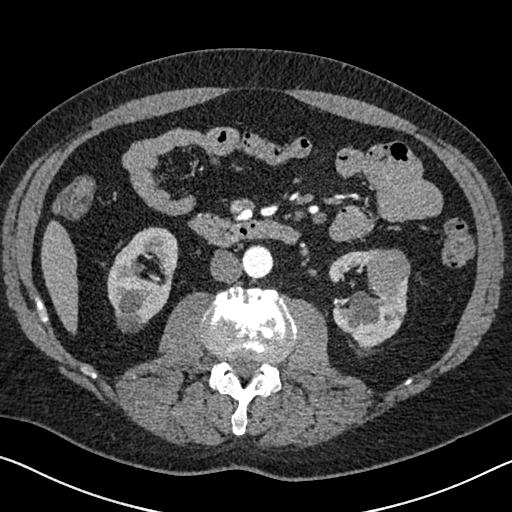
Arterial-phase contrast-enhanced abdominal CT, axial slice 339 of 626 (counted from the lowest slice); tube voltage 120 kVp, convolution kernel I30f; slices 1.00 mm thick, 0.703 mm per pixel.
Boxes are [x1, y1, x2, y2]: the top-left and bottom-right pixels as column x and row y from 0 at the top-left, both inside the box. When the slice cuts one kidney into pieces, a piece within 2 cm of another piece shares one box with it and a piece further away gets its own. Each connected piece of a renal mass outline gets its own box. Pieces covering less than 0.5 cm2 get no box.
Two kidney boxes and one renal mass box on this slice; by box centre, from the image's left to its right: (1) Box [107, 227, 178, 332]: right kidney (outlined area 5,051 px, about 25.0 cm2). (2) Left kidney, box [328, 249, 408, 347] (outlined area 4,140 px, about 20.5 cm2). (3) Left renal mass at [363, 248, 410, 292] (outlined area 1,641 px, about 8.1 cm2).